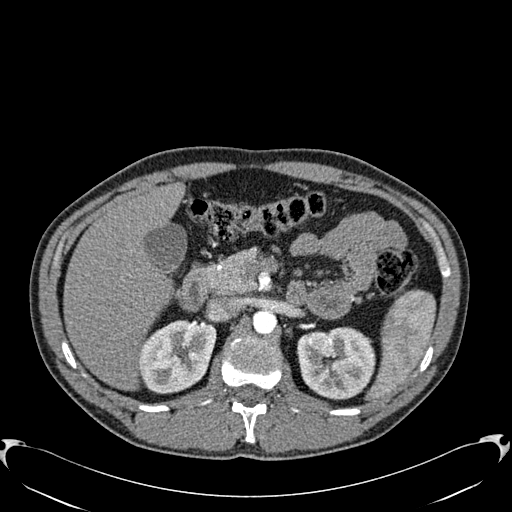
One axial slice (397 of 512, counting up from the lowest) of an arterial-phase abdominal CT acquired with 120 kVp, kernel B30f; each pixel is 0.771 mm and the slice is 1.00 mm thick.
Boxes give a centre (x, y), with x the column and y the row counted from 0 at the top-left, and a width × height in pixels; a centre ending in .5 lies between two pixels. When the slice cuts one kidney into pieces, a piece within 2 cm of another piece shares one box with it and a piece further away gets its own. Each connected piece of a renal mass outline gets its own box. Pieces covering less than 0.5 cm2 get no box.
Boxed on this slice (two kidney boxes), listed by box centre from the image's left to its right: (1) Right kidney in a box with centre (177.5, 357), 78 × 75 pixels (outlined area 4,427 px, about 26.3 cm2). (2) Left kidney, box centre (335.5, 363), 80 × 73 pixels (outlined area 4,617 px, about 27.5 cm2). This slice carries no renal mass outline.